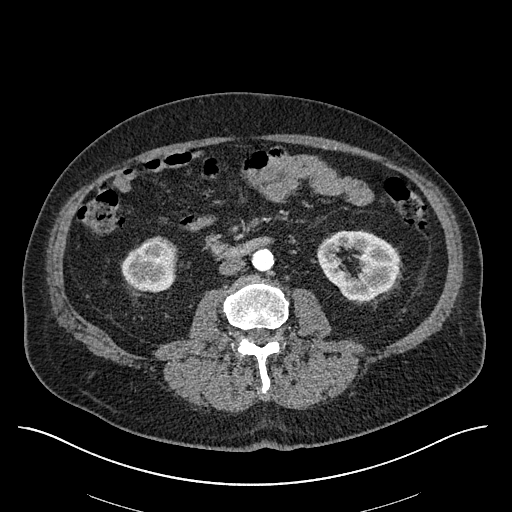
One axial slice (267 of 670, counting up from the lowest) of an arterial-phase abdominal CT acquired with 120 kVp, kernel I30f; each pixel is 0.861 mm and the slice is 1.00 mm thick.
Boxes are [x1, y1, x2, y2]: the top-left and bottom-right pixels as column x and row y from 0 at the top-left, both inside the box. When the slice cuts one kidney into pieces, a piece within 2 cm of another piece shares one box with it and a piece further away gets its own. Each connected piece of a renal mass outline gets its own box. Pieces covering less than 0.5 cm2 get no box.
Boxed on this slice (two kidney boxes), listed by box centre from the image's left to its right: (1) Right kidney at [121, 236, 177, 291] (outlined area 2,427 px, about 18.0 cm2). (2) Box [317, 230, 400, 301]: left kidney (outlined area 4,182 px, about 31.0 cm2). No renal mass is outlined on this slice.